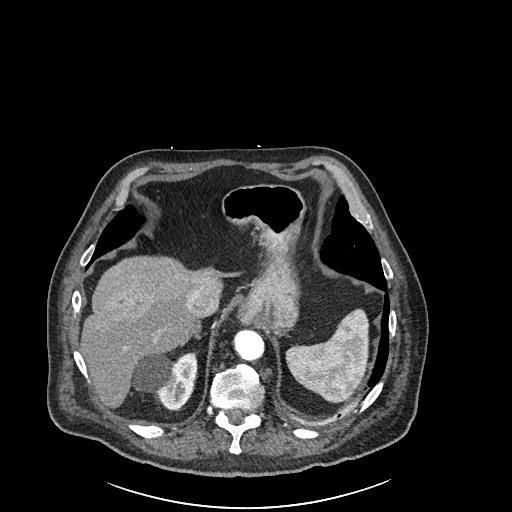
Arterial-phase contrast-enhanced abdominal CT, axial slice 201 of 261 (counted from the lowest slice); tube voltage 120 kVp, convolution kernel I30f; slices 2.00 mm thick, 0.939 mm per pixel.
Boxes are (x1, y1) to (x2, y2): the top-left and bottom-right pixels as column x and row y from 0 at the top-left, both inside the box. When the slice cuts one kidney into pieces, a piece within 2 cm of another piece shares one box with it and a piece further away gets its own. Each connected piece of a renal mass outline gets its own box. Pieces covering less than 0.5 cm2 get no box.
Right kidney, box (130, 352) to (197, 410) (outlined area 2,753 px, about 24.3 cm2). No renal mass outline on this slice.